One axial slice (266 of 1059, counting up from the lowest) of an arterial-phase abdominal CT acquired with 100 kVp, kernel I30f; each pixel is 0.811 mm and the slice is 1.00 mm thick.
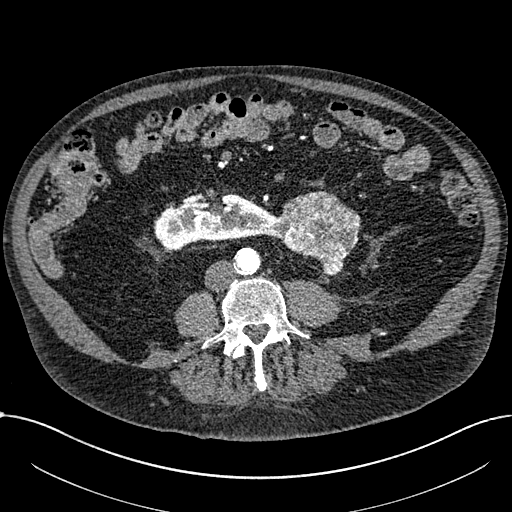
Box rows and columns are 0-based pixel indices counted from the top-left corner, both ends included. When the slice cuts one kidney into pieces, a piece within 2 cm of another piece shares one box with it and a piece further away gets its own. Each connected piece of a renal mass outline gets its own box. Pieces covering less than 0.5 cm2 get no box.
Two boxes on this slice (one kidney box and one renal mass box), listed by box centre from the image's left to its right. (1) Box rows 193–250, columns 154–276: right part of the midline-crossing kidney (outlined area 4,758 px, about 31.3 cm2). (2) Renal mass, box rows 191–274, columns 274–361 (outlined area 4,814 px, about 31.6 cm2).